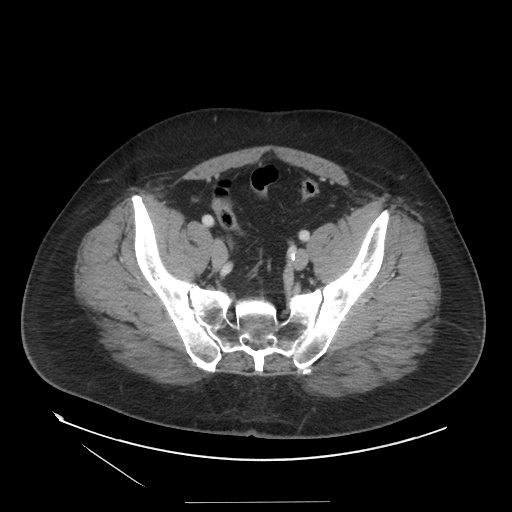
Arterial-phase contrast-enhanced abdominal CT, axial slice 32 of 129 (counted from the lowest slice); 3.75 mm thick, 0.938 mm per pixel. No kidney and no renal mass is outlined on this slice; the outlines in this scan cover only the kidneys and the renal masses, so nothing is said about any other organ.
Acquired at 140 kVp and reconstructed with the STANDARD kernel.